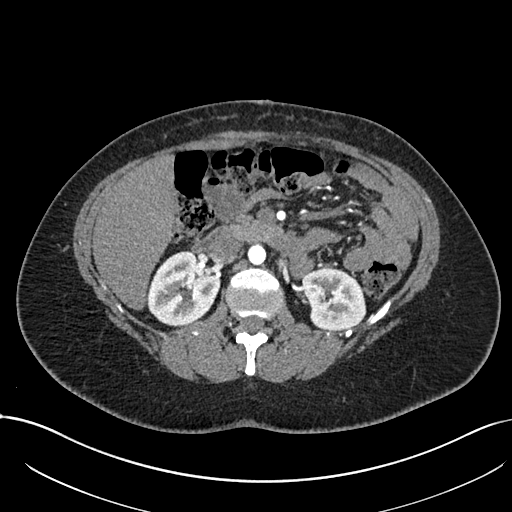
Arterial-phase contrast-enhanced abdominal CT, axial slice 434 of 738 (counted from the lowest slice); tube voltage 120 kVp, convolution kernel I30f; slices 1.00 mm thick, 0.789 mm per pixel.
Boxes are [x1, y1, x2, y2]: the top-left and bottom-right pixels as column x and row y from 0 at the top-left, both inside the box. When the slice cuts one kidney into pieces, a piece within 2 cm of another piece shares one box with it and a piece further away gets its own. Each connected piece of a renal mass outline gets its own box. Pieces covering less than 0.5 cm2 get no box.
Two kidney boxes on this slice; by box centre, from the image's left to its right: (1) Right kidney at [146, 250, 220, 325] (outlined area 4,079 px, about 25.4 cm2). (2) Box [302, 267, 366, 329]: left kidney (outlined area 3,137 px, about 19.5 cm2). This slice carries no renal mass outline.